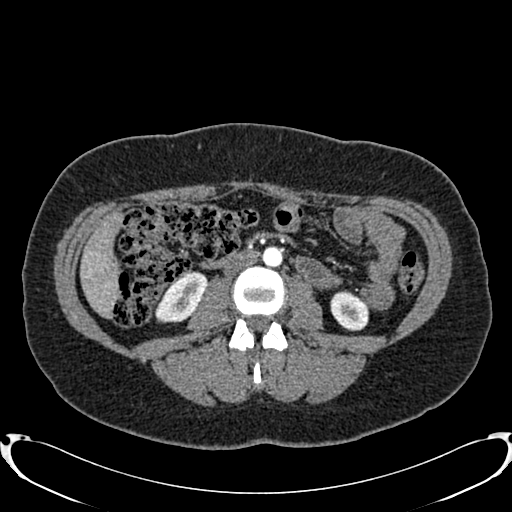
Arterial-phase contrast-enhanced abdominal CT, axial slice 388 of 719 (counted from the lowest slice); tube voltage 120 kVp, convolution kernel B20f; slices 1.00 mm thick, 0.766 mm per pixel.
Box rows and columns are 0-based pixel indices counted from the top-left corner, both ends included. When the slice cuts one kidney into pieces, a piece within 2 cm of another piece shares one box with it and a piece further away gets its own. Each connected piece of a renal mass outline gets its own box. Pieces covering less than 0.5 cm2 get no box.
Boxed on this slice (two kidney boxes), listed by box centre from the image's left to its right: (1) Right kidney at rows 272–322, columns 155–207 (outlined area 1,772 px, about 10.4 cm2). (2) Left kidney, box rows 290–331, columns 330–369 (outlined area 1,207 px, about 7.1 cm2). This slice carries no renal mass outline.